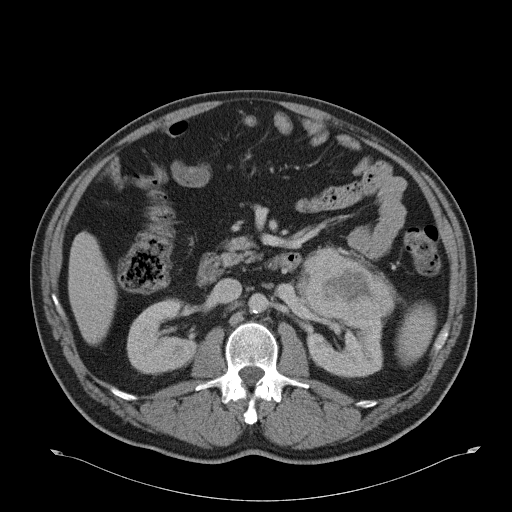
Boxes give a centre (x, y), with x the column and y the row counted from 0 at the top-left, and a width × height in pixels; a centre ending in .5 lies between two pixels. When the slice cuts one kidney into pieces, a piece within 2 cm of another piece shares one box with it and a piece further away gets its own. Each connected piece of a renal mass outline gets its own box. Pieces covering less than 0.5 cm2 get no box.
Slice 21/51 of a contrast-enhanced abdominal CT, counting up from the lowest; pixel size 0.865 mm, slice thickness 5.00 mm. Boxed on this slice (two kidney boxes and one renal mass box), listed by box centre from the image's left to its right: (1) Right kidney, box centre (162, 336), 73 × 75 pixels (outlined area 3,778 px, about 28.3 cm2). (2) Left kidney in a box with centre (344.5, 348), 78 × 61 pixels (outlined area 3,473 px, about 26.0 cm2). (3) Left renal mass in a box with centre (348.5, 283), 92 × 73 pixels (outlined area 4,668 px, about 34.9 cm2).
Scan settings: 120 kVp, B31f reconstruction kernel.